Arterial-phase contrast-enhanced abdominal CT, axial slice 290 of 665 (counted from the lowest slice); tube voltage 100 kVp, convolution kernel I26f; slices 1.00 mm thick, 0.828 mm per pixel.
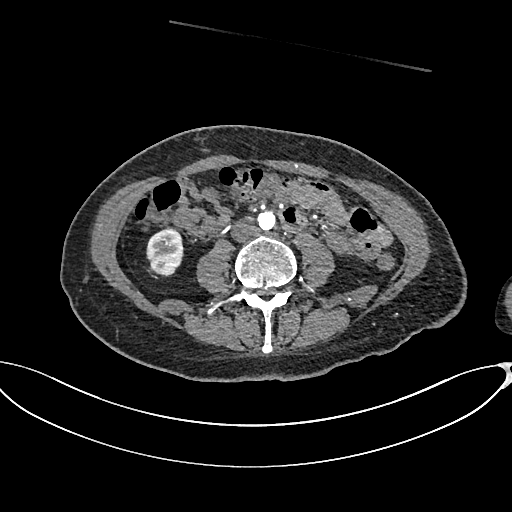
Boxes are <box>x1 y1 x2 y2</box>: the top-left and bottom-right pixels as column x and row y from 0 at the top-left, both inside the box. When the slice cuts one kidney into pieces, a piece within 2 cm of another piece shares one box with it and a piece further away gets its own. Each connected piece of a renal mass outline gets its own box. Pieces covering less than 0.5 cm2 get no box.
Right kidney: <box>146 229 183 275</box> (outlined area 1,412 px, about 9.7 cm2). No renal mass is outlined on this slice.